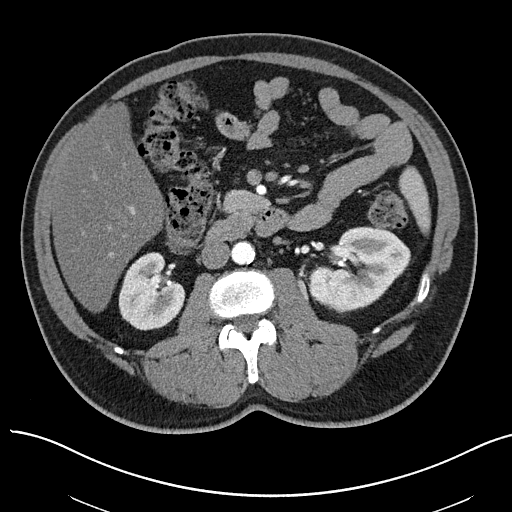
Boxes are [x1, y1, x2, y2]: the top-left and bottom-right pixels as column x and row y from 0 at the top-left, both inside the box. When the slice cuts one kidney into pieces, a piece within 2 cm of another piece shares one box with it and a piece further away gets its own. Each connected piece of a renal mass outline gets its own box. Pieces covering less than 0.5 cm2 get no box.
Arterial-phase contrast-enhanced abdominal CT, axial slice 30 of 97 (counted from the lowest slice); 3.00 mm thick, 0.797 mm per pixel. Two kidney boxes and one renal mass box on this slice; by box centre, from the image's left to its right: (1) Right kidney, box [118, 252, 185, 330] (outlined area 3,840 px, about 24.4 cm2). (2) Left renal mass, box [307, 264, 353, 311] (outlined area 1,565 px, about 9.9 cm2). (3) Left kidney at [324, 226, 410, 313] (outlined area 4,417 px, about 28.0 cm2).
Tube voltage 100 kVp; convolution kernel I40f.